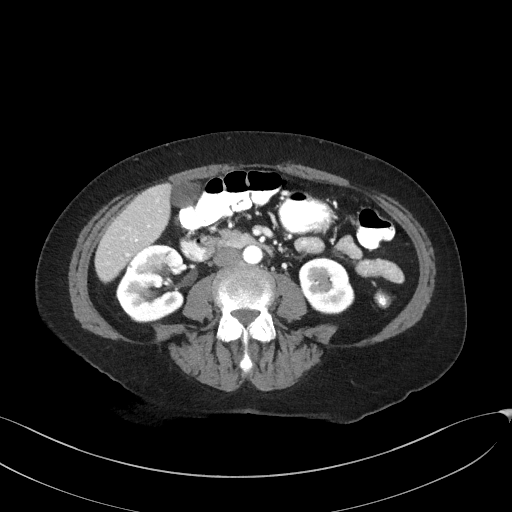
One axial slice (79 of 129, counting up from the lowest) of an arterial-phase abdominal CT acquired with 100 kVp, kernel I41f; each pixel is 0.779 mm and the slice is 3.00 mm thick.
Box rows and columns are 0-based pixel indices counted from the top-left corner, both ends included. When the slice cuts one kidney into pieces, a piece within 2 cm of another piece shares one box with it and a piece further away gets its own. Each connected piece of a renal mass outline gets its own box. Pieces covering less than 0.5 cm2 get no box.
Two boxes on this slice (two kidney boxes), listed by box centre from the image's left to its right. (1) Right kidney, box rows 244–322, columns 116–184 (outlined area 4,104 px, about 24.9 cm2). (2) Left kidney, box rows 257–314, columns 298–354 (outlined area 2,457 px, about 14.9 cm2). No renal mass is outlined on this slice.